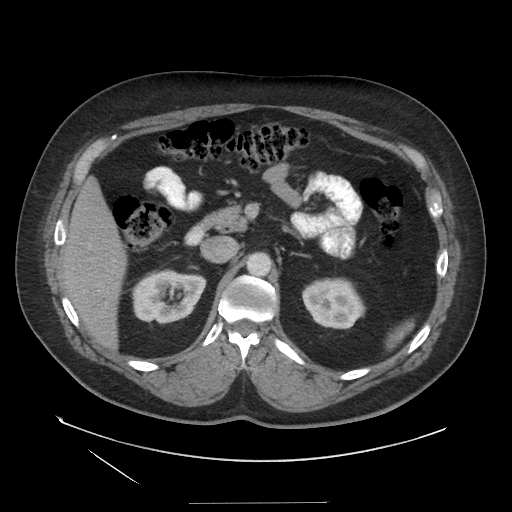
One axial slice (90 of 129, counting up from the lowest) of an arterial-phase abdominal CT acquired with 140 kVp, kernel STANDARD; each pixel is 0.938 mm and the slice is 3.75 mm thick.
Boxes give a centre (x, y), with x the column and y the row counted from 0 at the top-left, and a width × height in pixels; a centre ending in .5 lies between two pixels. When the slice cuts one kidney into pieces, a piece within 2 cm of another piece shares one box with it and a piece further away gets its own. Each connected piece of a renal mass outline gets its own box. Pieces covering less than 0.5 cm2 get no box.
Boxed on this slice (two kidney boxes), listed by box centre from the image's left to its right: (1) Box centre (169, 296.5), 75 × 56 pixels: right kidney (outlined area 3,140 px, about 27.6 cm2). (2) Left kidney in a box with centre (334, 303), 65 × 53 pixels (outlined area 2,555 px, about 22.5 cm2). No renal mass is outlined on this slice.